One axial slice (516 of 705, counting up from the lowest) of an arterial-phase abdominal CT acquired with 120 kVp, kernel I30f; each pixel is 0.703 mm and the slice is 1.00 mm thick.
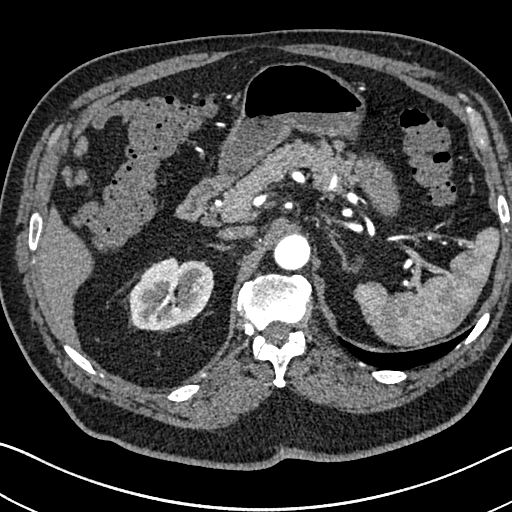
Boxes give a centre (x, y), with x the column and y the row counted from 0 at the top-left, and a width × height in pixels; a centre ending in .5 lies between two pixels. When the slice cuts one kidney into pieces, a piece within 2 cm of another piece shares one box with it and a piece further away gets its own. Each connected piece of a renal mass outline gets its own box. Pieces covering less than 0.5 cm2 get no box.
Right kidney in a box with centre (171, 293.5), 87 × 74 pixels (outlined area 4,758 px, about 23.5 cm2). No renal mass is outlined on this slice.